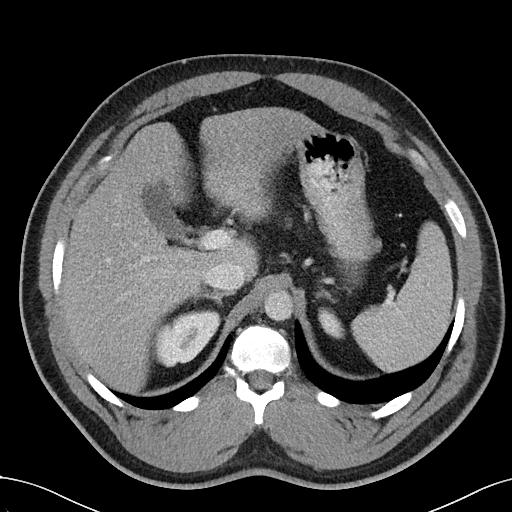
Abdominal CT with intravenous contrast, arterial phase, axial plane, 100 kVp, kernel I40f. Slice 78/102 from the bottom of the scan; thickness 5.00 mm; pixel size 0.781 mm.
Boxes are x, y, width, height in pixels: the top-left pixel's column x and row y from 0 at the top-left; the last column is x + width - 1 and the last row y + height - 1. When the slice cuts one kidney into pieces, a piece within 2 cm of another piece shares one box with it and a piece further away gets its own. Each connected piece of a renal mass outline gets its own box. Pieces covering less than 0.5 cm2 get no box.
Two boxes on this slice (two kidney boxes), listed by box centre from the image's left to its right. (1) Right kidney at x 155, y 309, width 67, height 59 (outlined area 2,636 px, about 16.1 cm2). (2) Box x 318, y 307, width 27, height 32: left kidney (outlined area 564 px, about 3.4 cm2). No renal mass outline on this slice.